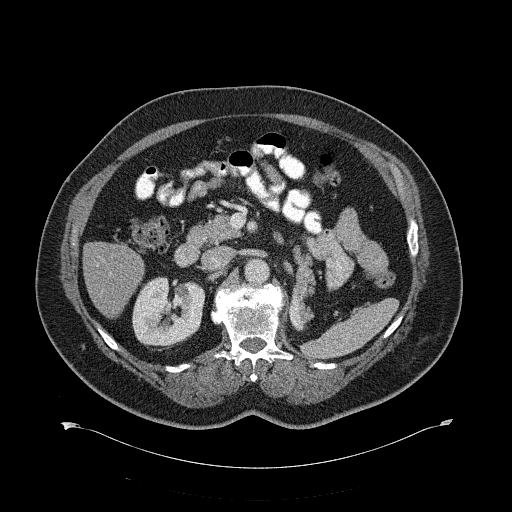
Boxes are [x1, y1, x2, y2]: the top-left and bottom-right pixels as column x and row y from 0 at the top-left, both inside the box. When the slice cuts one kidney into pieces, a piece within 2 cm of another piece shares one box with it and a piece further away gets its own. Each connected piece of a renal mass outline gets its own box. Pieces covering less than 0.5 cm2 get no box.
This is axial slice 388 of 734 (slice 1 is the lowest) of an abdominal CT with contrast; each pixel is 0.971 mm and the slice is 2.00 mm thick. Box [132, 276, 205, 348]: right kidney (outlined area 4,117 px, about 38.8 cm2). No renal mass outline on this slice.
Tube voltage 120 kVp; convolution kernel B31f.